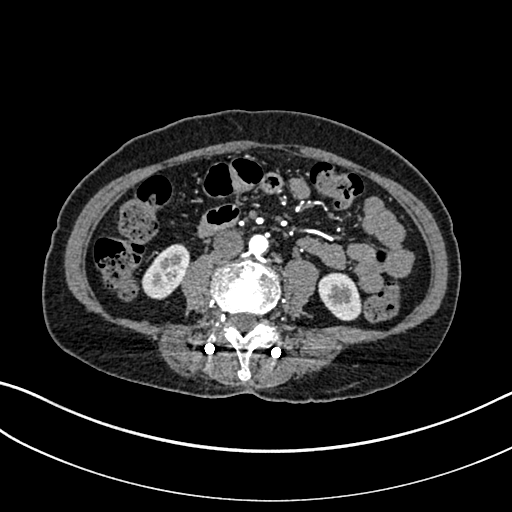
One axial slice (68 of 325, counting up from the lowest) of an arterial-phase abdominal CT acquired with 100 kVp, kernel I30f; each pixel is 0.703 mm and the slice is 1.00 mm thick.
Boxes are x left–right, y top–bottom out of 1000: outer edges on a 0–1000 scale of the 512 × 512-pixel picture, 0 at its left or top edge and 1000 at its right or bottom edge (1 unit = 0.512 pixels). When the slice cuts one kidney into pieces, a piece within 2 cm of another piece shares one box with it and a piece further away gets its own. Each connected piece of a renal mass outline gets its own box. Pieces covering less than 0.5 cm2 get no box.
Boxed on this slice (two kidney boxes), listed by box centre from the image's left to its right: (1) Right kidney at x 275–371, y 477–586 out of 1000 (outlined area 1,800 px, about 8.9 cm2). (2) Box x 621–709, y 531–629 out of 1000: left kidney (outlined area 1,609 px, about 8.0 cm2). No renal mass is outlined on this slice.